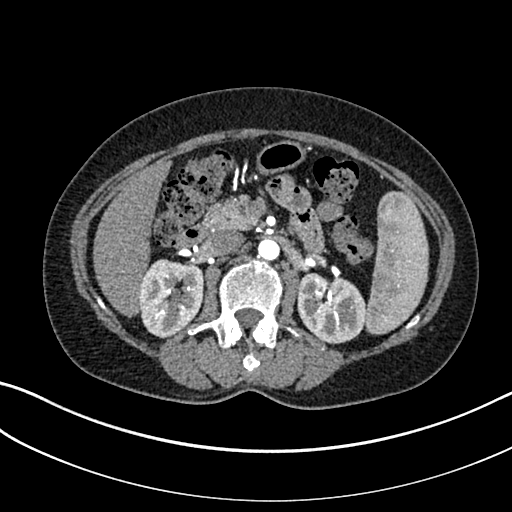
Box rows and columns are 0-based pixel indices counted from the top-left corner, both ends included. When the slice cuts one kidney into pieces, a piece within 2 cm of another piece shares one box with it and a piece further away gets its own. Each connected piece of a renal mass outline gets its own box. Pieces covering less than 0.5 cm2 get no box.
This is axial slice 177 of 325 (slice 1 is the lowest) of an arterial-phase abdominal CT with contrast; each pixel is 0.703 mm and the slice is 1.00 mm thick. Two boxes on this slice (two kidney boxes), listed by box centre from the image's left to its right. (1) Right kidney at rows 259–338, columns 138–204 (outlined area 4,050 px, about 20.0 cm2). (2) Box rows 272–344, columns 296–366: left kidney (outlined area 3,877 px, about 19.2 cm2). No renal mass is outlined on this slice.
Acquired at 100 kVp and reconstructed with the I30f kernel.